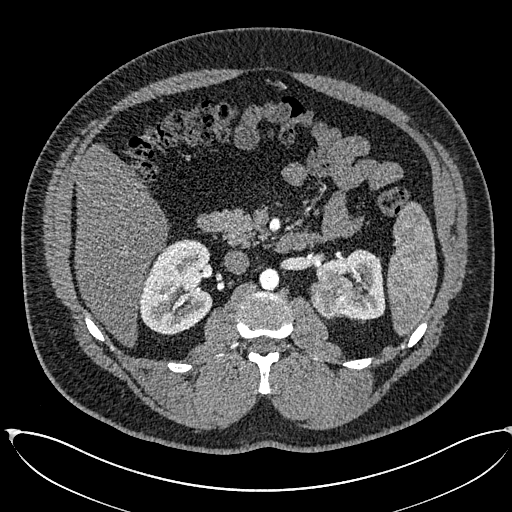
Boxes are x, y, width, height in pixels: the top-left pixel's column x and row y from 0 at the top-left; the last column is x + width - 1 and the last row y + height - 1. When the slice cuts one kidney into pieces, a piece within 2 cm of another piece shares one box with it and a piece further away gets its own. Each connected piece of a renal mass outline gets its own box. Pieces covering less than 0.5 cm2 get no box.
Arterial-phase contrast-enhanced abdominal CT, axial slice 370 of 673 (counted from the lowest slice); 1.00 mm thick, 0.855 mm per pixel. Boxed on this slice (two kidney boxes and one renal mass box), listed by box centre from the image's left to its right: (1) Right kidney at x 139, y 239, width 74, height 96 (outlined area 5,398 px, about 39.5 cm2). (2) Box x 309, y 276, width 45, height 44: left renal mass (outlined area 1,535 px, about 11.2 cm2). (3) Box x 316, y 248, width 70, height 72: left kidney (outlined area 2,809 px, about 20.6 cm2).
Acquired at 120 kVp and reconstructed with the I30f kernel.